One axial slice (183 of 326, counting up from the lowest) of an arterial-phase abdominal CT acquired with 120 kVp, kernel B31f; each pixel is 0.963 mm and the slice is 2.00 mm thick.
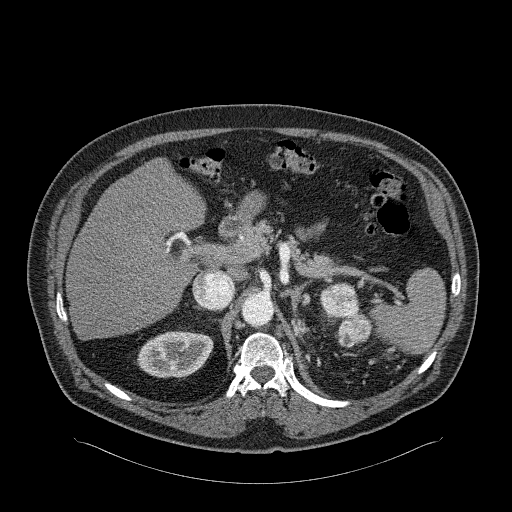
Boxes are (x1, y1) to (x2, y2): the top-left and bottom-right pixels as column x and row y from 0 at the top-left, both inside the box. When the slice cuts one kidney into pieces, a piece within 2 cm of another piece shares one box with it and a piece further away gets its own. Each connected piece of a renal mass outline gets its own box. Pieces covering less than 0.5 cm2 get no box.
One kidney box and one renal mass box on this slice; by box centre, from the image's left to its right: (1) Box (137, 331) to (213, 378): right kidney (outlined area 2,832 px, about 26.3 cm2). (2) Left renal mass, box (320, 282) to (371, 348) (outlined area 2,172 px, about 20.1 cm2); here it is more than 1 cm from any kidney outline, though on another slice the same outlined renal mass lies within 1 cm of the kidney.